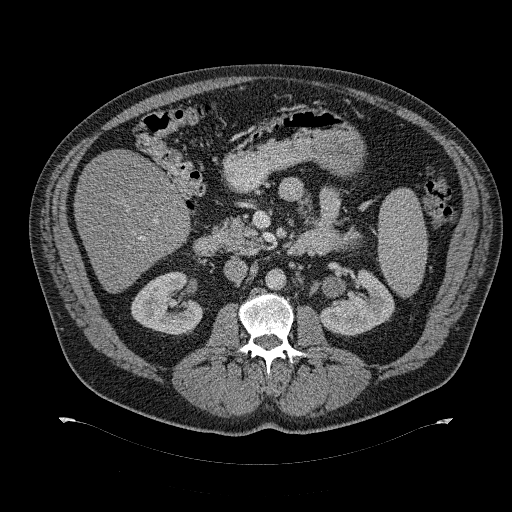
Contrast-enhanced abdominal CT, axial slice 182 of 274 (counted from the lowest slice); tube voltage 120 kVp, convolution kernel B31f; slices 2.00 mm thick, 0.977 mm per pixel.
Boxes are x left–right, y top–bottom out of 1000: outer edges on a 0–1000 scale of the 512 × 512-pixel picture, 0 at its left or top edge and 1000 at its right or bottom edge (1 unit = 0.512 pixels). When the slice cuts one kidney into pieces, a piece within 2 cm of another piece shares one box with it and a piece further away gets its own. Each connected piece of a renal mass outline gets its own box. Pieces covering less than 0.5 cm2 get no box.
Two boxes on this slice (two kidney boxes), listed by box centre from the image's left to its right. (1) Right kidney, box x 254–400, y 529–656 out of 1000 (outlined area 3,327 px, about 31.7 cm2). (2) Box x 623–771, y 527–656 out of 1000: left kidney (outlined area 3,104 px, about 29.6 cm2). This slice carries no renal mass outline.